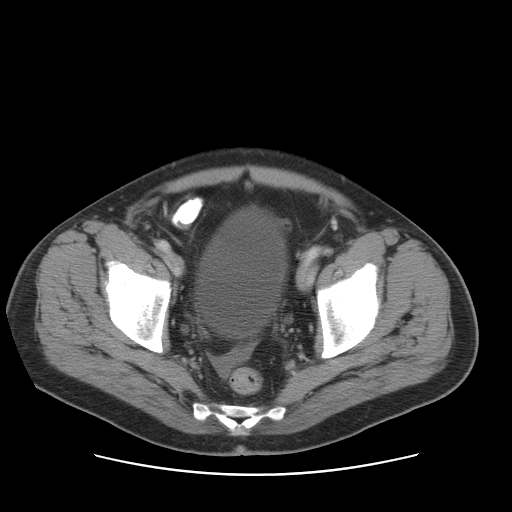
Contrast-enhanced abdominal CT, axial slice 22 of 95 (counted from the lowest slice); tube voltage 120 kVp, convolution kernel STANDARD; slices 5.00 mm thick, 0.781 mm per pixel.
This slice carries no outline: it lies beyond the outlined kidneys and beyond every outlined renal mass. Other organs are not outlined in this scan.